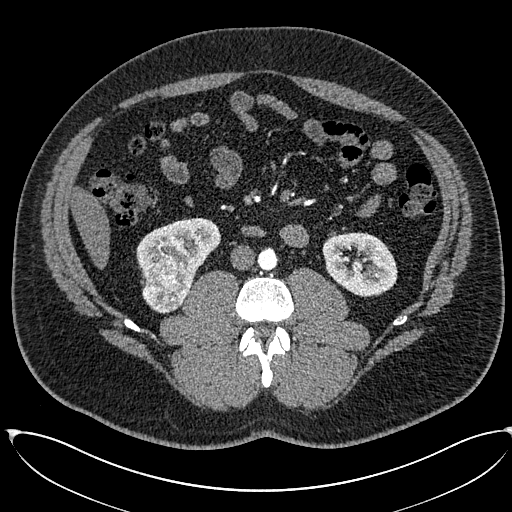
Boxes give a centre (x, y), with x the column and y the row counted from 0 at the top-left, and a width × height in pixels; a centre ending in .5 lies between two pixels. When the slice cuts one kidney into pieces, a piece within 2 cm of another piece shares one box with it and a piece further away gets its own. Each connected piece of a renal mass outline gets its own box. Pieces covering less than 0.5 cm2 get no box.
This is axial slice 283 of 673 (slice 1 is the lowest) of an arterial-phase abdominal CT with contrast; each pixel is 0.855 mm and the slice is 1.00 mm thick. Two kidney boxes and one renal mass box on this slice; by box centre, from the image's left to its right: (1) Box centre (168, 284.5), 53 × 58 pixels: right renal mass (outlined area 2,214 px, about 16.2 cm2). (2) Right kidney in a box with centre (178, 248.5), 85 × 64 pixels (outlined area 3,139 px, about 23.0 cm2). (3) Box centre (359, 264.5), 75 × 66 pixels: left kidney (outlined area 3,684 px, about 27.0 cm2).
Scan settings: 120 kVp, I30f reconstruction kernel.